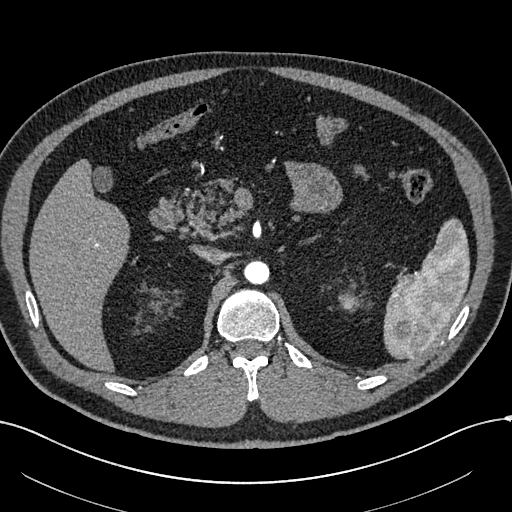
Abdominal CT with intravenous contrast, arterial phase, axial plane, 120 kVp, kernel I30f. Slice 419/602 from the bottom of the scan; thickness 1.00 mm; pixel size 0.799 mm.
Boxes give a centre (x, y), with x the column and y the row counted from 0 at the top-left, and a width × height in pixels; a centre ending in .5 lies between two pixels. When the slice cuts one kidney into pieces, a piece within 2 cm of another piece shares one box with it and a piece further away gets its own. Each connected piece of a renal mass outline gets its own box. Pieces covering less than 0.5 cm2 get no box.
Left kidney in a box with centre (347, 301), 19 × 19 pixels (outlined area 255 px, about 1.6 cm2). No renal mass is outlined on this slice.